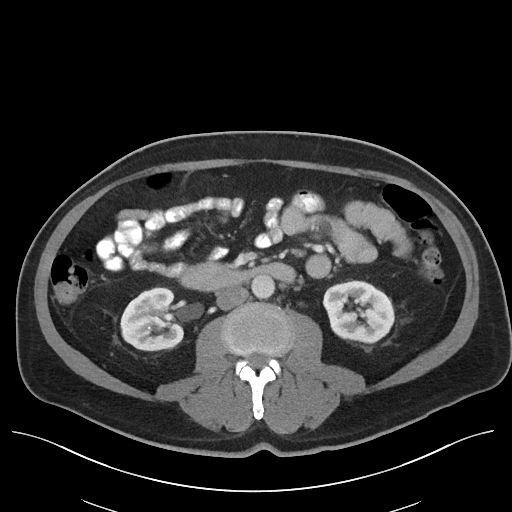
Abdominal CT with intravenous contrast, arterial phase, axial plane, 120 kVp, kernel I40f. Slice 60/96 from the bottom of the scan; thickness 5.00 mm; pixel size 0.840 mm.
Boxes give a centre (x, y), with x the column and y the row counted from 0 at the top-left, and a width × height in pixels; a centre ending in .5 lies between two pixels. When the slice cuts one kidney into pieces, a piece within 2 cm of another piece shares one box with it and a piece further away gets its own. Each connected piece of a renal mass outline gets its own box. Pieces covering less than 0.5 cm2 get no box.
Two kidney boxes on this slice; by box centre, from the image's left to its right: (1) Right kidney, box centre (151.5, 318.5), 64 × 64 pixels (outlined area 3,177 px, about 22.4 cm2). (2) Left kidney, box centre (358.5, 311.5), 72 × 64 pixels (outlined area 3,447 px, about 24.3 cm2). No renal mass is outlined on this slice.